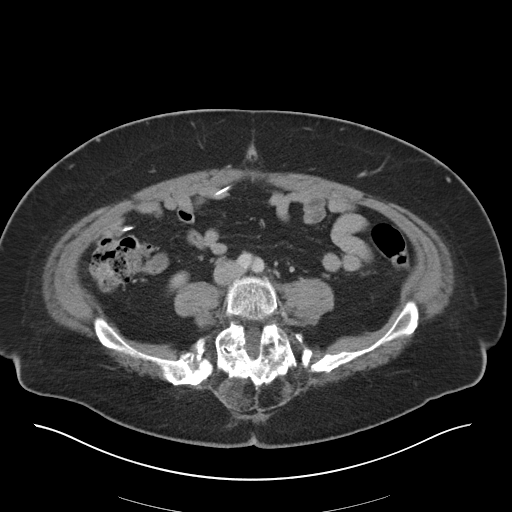
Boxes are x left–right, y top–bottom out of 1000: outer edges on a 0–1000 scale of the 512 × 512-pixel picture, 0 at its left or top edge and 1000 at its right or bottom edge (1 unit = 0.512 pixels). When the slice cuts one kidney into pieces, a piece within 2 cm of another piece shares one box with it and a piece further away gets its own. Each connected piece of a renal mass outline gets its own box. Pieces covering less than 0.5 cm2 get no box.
Slice 1/36 of a contrast-enhanced abdominal CT in the arterial phase, counting up from the lowest; pixel size 0.906 mm, slice thickness 5.00 mm. Right kidney, box x 328–371, y 529–572 out of 1000 (outlined area 323 px, about 2.7 cm2). No renal mass is outlined on this slice.
Scan settings: 140 kVp, I30f reconstruction kernel.